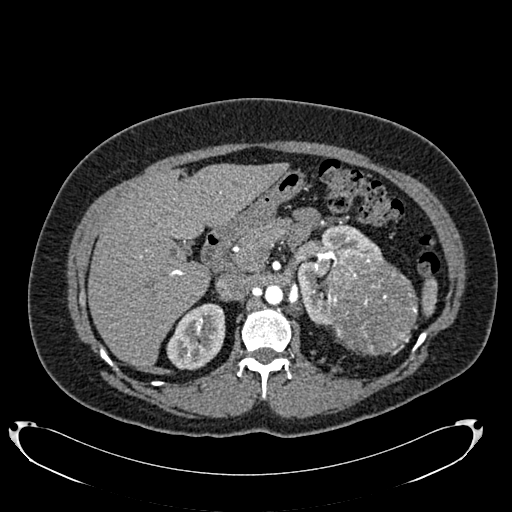
Abdominal CT with intravenous contrast, arterial phase, axial plane, 120 kVp, kernel B20f. Slice 490/634 from the bottom of the scan; thickness 1.00 mm; pixel size 0.838 mm.
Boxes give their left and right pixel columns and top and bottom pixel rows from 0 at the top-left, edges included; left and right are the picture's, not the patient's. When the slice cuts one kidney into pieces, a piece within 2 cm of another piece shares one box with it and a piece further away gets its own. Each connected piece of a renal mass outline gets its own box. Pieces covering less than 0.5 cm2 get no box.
Boxed on this slice (two kidney boxes and one renal mass box), listed by box centre from the image's left to its right: (1) Right kidney in the box with left 166, top 303, right 225, bottom 370 (outlined area 2,925 px, about 20.5 cm2). (2) Box with left 297, top 225, right 383, bottom 325: left kidney (outlined area 3,263 px, about 22.9 cm2). (3) Box with left 322, top 252, right 418, bottom 355: left renal mass (outlined area 7,681 px, about 53.9 cm2).